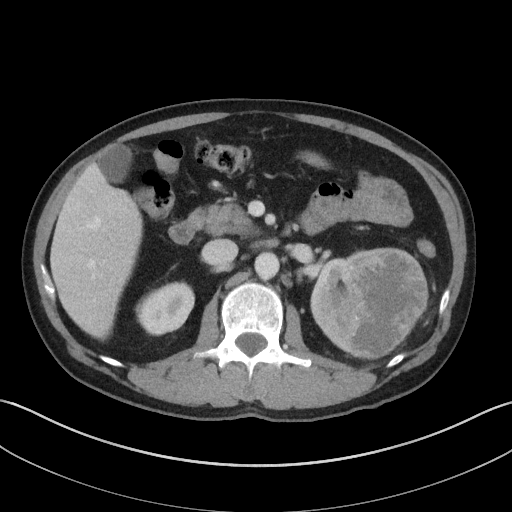
Contrast-enhanced abdominal CT, axial slice 69 of 143 (counted from the lowest slice); tube voltage 100 kVp, convolution kernel I41f; slices 5.00 mm thick, 0.734 mm per pixel.
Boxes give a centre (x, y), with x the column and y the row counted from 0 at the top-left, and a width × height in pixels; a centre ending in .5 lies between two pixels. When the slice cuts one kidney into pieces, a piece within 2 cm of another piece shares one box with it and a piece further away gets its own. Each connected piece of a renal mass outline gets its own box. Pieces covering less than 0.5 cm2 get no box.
Two kidney boxes and one renal mass box on this slice; by box centre, from the image's left to its right: (1) Box centre (164.5, 308.5), 60 × 56 pixels: right kidney (outlined area 2,397 px, about 12.9 cm2). (2) Left kidney in a box with centre (338, 303), 57 × 109 pixels (outlined area 2,505 px, about 13.5 cm2). (3) Box centre (385, 304), 87 × 113 pixels: left renal mass (outlined area 7,663 px, about 41.3 cm2).